Arterial-phase contrast-enhanced abdominal CT, axial slice 294 of 665 (counted from the lowest slice); tube voltage 100 kVp, convolution kernel I26f; slices 1.00 mm thick, 0.828 mm per pixel.
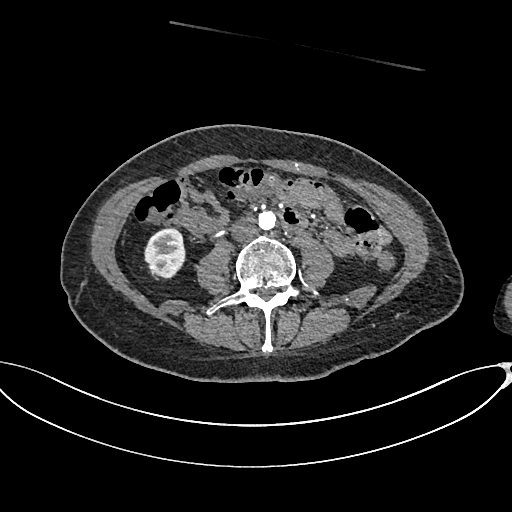
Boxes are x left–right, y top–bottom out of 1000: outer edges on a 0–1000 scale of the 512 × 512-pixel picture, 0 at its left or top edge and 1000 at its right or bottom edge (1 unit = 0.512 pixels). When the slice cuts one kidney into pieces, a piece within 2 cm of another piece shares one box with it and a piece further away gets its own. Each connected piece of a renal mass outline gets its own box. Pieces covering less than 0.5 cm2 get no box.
Right kidney at x 281–363, y 445–545 out of 1000 (outlined area 1,606 px, about 11.0 cm2). No renal mass outline on this slice.